Abdominal CT with intravenous contrast, arterial phase, axial plane, 120 kVp, kernel I26f. Slice 136/470 from the bottom of the scan; thickness 1.00 mm; pixel size 0.938 mm.
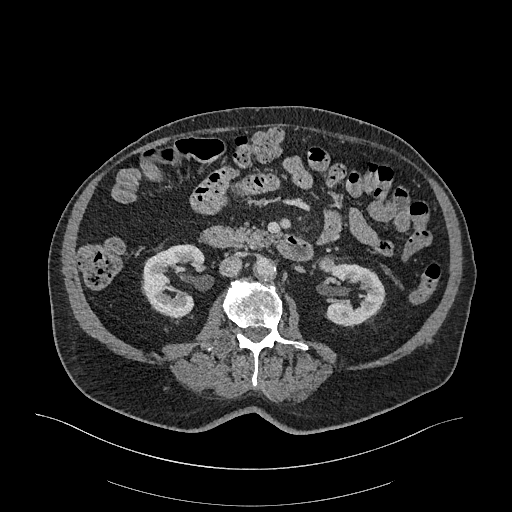
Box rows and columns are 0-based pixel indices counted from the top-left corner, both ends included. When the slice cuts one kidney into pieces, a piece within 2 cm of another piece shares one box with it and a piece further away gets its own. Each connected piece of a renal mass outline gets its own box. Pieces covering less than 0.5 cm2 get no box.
Two boxes on this slice (two kidney boxes), listed by box centre from the image's left to its right. (1) Right kidney, box rows 244–319, columns 142–205 (outlined area 3,211 px, about 28.2 cm2). (2) Left kidney at rows 259–327, columns 319–385 (outlined area 3,033 px, about 26.7 cm2).